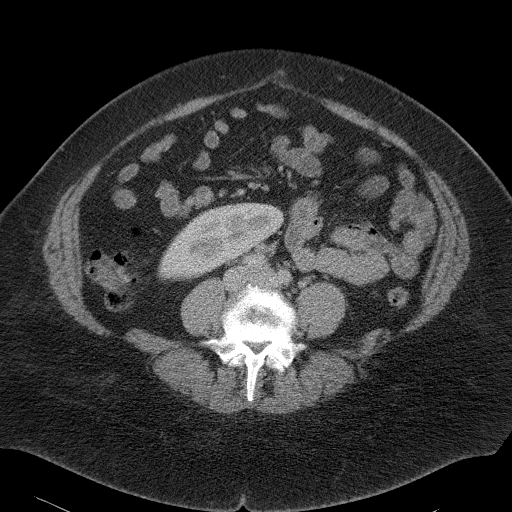
Abdominal CT with intravenous contrast, axial plane, 120 kVp, kernel B41f. Slice 45/90 from the bottom of the scan; thickness 5.00 mm; pixel size 0.781 mm.
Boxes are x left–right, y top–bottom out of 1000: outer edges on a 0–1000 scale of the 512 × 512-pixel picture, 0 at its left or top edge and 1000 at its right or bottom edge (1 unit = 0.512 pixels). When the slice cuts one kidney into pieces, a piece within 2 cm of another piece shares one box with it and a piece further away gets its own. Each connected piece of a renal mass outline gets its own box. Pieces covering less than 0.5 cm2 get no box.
Right kidney, box x 307–557, y 396–551 out of 1000 (outlined area 5,968 px, about 36.4 cm2). No renal mass is outlined on this slice.